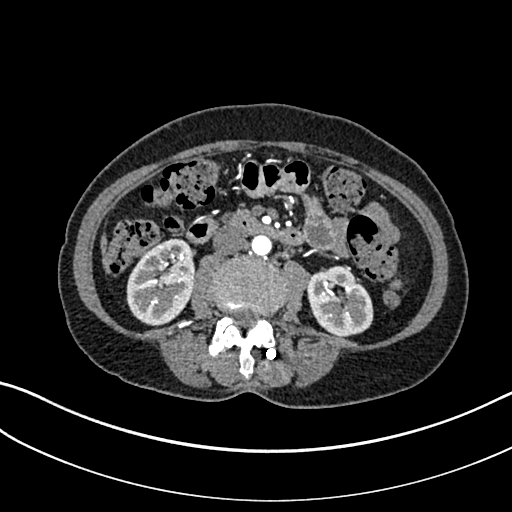
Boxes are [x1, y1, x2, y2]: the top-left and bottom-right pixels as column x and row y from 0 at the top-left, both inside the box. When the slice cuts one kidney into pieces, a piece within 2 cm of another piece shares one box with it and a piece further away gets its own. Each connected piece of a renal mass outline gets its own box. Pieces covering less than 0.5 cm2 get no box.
This is axial slice 121 of 325 (slice 1 is the lowest) of an arterial-phase abdominal CT with contrast; each pixel is 0.703 mm and the slice is 1.00 mm thick. Boxed on this slice (two kidney boxes), listed by box centre from the image's left to its right: (1) Right kidney, box [126, 238, 194, 325] (outlined area 4,582 px, about 22.7 cm2). (2) Left kidney at [306, 265, 373, 336] (outlined area 3,535 px, about 17.5 cm2). No renal mass outline on this slice.
Scan settings: 100 kVp, I30f reconstruction kernel.